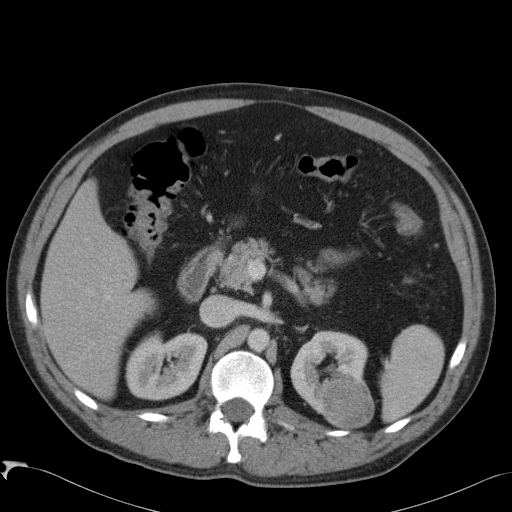
One axial slice (62 of 88, counting up from the lowest) of an arterial-phase abdominal CT acquired with 120 kVp, kernel B41f; each pixel is 0.723 mm and the slice is 5.00 mm thick.
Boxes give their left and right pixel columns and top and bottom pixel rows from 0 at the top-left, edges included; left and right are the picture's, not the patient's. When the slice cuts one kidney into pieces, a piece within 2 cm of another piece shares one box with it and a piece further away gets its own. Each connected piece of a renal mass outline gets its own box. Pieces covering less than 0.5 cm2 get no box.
Boxed on this slice (two kidney boxes and one renal mass box), listed by box centre from the image's left to its right: (1) Right kidney in the box with left 125, top 331, right 207, bottom 400 (outlined area 4,317 px, about 22.5 cm2). (2) Box with left 290, top 330, right 368, bottom 413: left kidney (outlined area 3,318 px, about 17.3 cm2). (3) Box with left 318, top 370, right 374, bottom 429: left renal mass (outlined area 2,626 px, about 13.7 cm2).